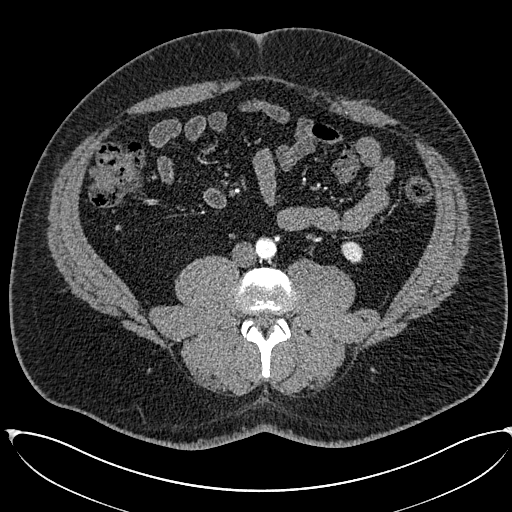
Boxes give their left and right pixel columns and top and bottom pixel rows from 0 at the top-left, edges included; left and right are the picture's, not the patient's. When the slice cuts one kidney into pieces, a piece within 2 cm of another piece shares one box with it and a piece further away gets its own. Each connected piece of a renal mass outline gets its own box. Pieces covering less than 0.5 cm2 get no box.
This is axial slice 220 of 673 (slice 1 is the lowest) of an arterial-phase abdominal CT with contrast; each pixel is 0.855 mm and the slice is 1.00 mm thick. Left kidney in the box with left 341, top 241, right 362, bottom 263 (outlined area 388 px, about 2.8 cm2). No renal mass outline on this slice.
Scan settings: 120 kVp, I30f reconstruction kernel.